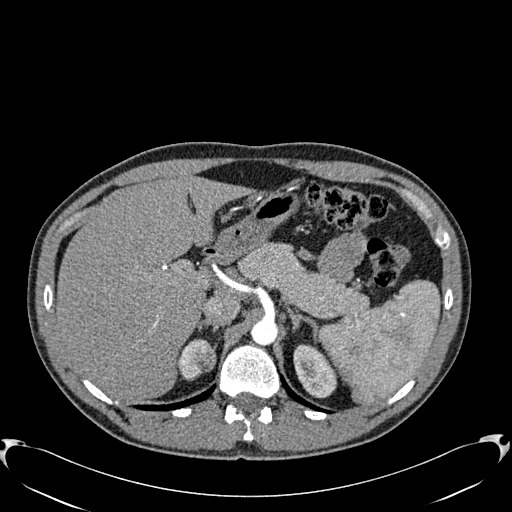
One axial slice (444 of 512, counting up from the lowest) of an arterial-phase abdominal CT acquired with 120 kVp, kernel B30f; each pixel is 0.771 mm and the slice is 1.00 mm thick.
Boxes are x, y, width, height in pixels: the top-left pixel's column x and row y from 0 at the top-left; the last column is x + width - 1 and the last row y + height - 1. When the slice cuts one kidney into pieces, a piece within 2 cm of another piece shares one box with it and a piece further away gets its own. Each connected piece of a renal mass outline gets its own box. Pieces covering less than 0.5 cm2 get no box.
Three boxes on this slice (two kidney boxes and one renal mass box), listed by box centre from the image's left to its right. (1) Right kidney at x 178, y 339, width 27, height 41 (outlined area 578 px, about 3.4 cm2). (2) Right renal mass at x 193, y 340, width 23, height 33 (outlined area 556 px, about 3.3 cm2). (3) Box x 293, y 344, width 45, height 55: left kidney (outlined area 1,717 px, about 10.2 cm2).